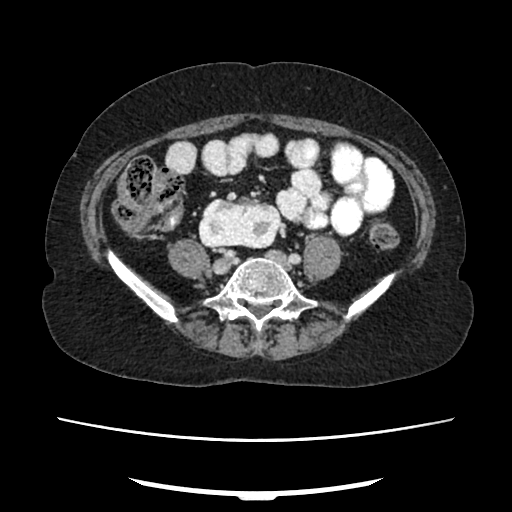
One axial slice (90 of 207, counting up from the lowest) of an arterial-phase abdominal CT acquired with 120 kVp, kernel FC18; each pixel is 0.741 mm and the slice is 2.00 mm thick.
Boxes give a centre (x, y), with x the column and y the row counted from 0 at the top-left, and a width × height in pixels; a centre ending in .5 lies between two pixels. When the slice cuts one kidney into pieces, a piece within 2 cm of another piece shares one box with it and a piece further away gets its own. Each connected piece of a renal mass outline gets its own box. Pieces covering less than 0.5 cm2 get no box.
Right kidney, box centre (239.5, 221.5), 84 × 54 pixels (outlined area 3,643 px, about 20.0 cm2). No renal mass outline on this slice.